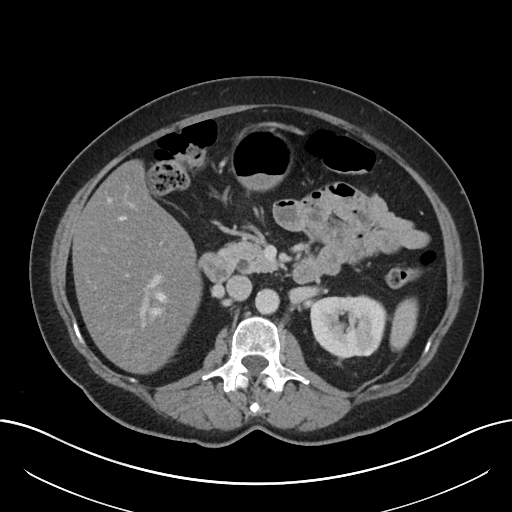
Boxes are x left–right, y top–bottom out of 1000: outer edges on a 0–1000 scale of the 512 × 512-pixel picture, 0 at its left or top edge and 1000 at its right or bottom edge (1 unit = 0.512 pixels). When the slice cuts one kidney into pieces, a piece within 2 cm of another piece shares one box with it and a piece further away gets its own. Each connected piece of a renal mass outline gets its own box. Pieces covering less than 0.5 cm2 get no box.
Contrast-enhanced abdominal CT, axial slice 123 of 197 (counted from the lowest slice); 5.00 mm thick, 0.791 mm per pixel. Left kidney, box x 605–754, y 574–701 out of 1000 (outlined area 4,053 px, about 25.4 cm2). No renal mass is outlined on this slice.
Scan settings: 120 kVp, I30f reconstruction kernel.